Arterial-phase contrast-enhanced abdominal CT, axial slice 192 of 304 (counted from the lowest slice); tube voltage 100 kVp, convolution kernel I30f; slices 2.00 mm thick, 0.809 mm per pixel.
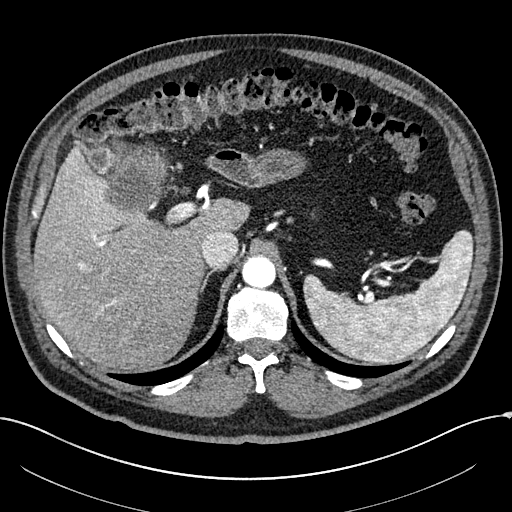
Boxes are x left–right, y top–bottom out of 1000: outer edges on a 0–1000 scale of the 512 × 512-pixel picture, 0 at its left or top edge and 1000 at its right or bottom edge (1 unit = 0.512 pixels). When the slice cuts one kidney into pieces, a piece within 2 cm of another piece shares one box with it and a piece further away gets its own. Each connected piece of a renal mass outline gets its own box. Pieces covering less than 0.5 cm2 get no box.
Right renal mass, box x 207–328, y 277–412 out of 1000 (outlined area 3,375 px, about 22.1 cm2); no kidney is outlined on this slice, but the same outlined renal mass comes within 1 cm of the kidney on another slice.